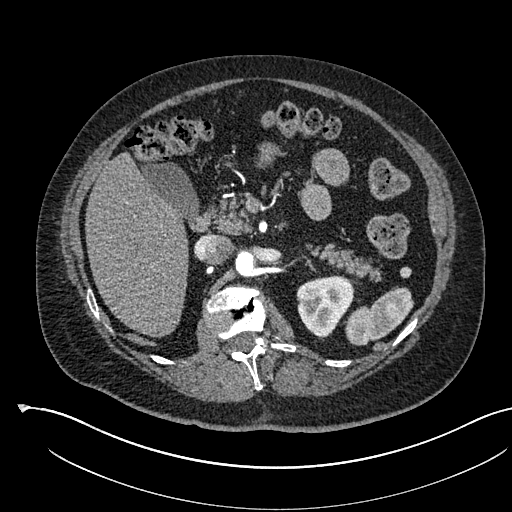
Axial slice 366 of 541 of a contrast-enhanced abdominal CT in the arterial phase (slice 1 is the lowest), 120 kVp, kernel I30f; 1.00 mm slice thickness and 0.834 mm pixels.
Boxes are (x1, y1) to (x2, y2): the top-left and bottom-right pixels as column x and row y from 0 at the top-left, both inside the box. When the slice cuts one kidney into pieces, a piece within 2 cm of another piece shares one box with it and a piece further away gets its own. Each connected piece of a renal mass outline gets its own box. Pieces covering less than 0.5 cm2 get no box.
Left kidney, box (296, 275) to (354, 339) (outlined area 2,658 px, about 18.5 cm2). No renal mass outline on this slice.